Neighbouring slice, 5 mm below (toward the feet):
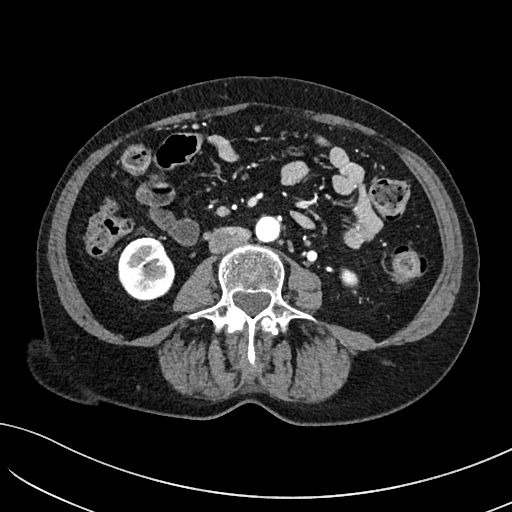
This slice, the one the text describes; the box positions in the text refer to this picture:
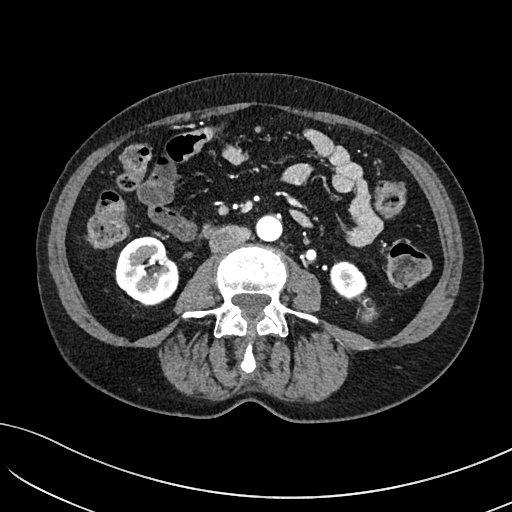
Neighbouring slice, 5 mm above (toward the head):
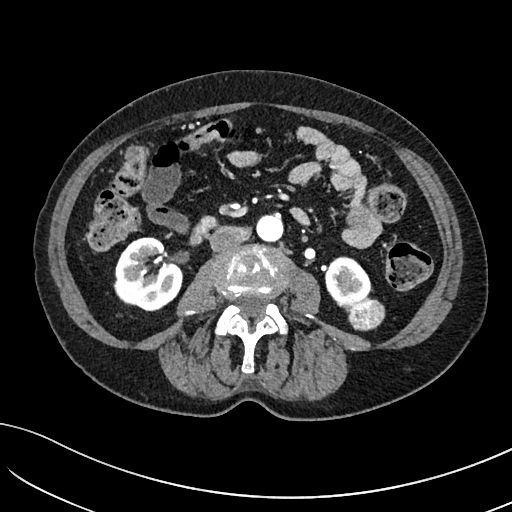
One axial slice (27 of 234, counting up from the lowest) of an arterial-phase abdominal CT acquired with 100 kVp, kernel I40f; each pixel is 0.699 mm and the slice is 2.00 mm thick.
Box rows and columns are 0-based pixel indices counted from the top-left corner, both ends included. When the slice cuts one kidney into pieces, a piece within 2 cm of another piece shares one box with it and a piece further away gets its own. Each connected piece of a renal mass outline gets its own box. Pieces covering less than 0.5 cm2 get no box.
Three boxes on this slice (two kidney boxes and one renal mass box), listed by box centre from the image's left to its right. (1) Right kidney at rows 236–306, columns 115–179 (outlined area 3,380 px, about 16.5 cm2). (2) Box rows 261–308, columns 329–374: left kidney (outlined area 1,194 px, about 5.8 cm2). (3) Left renal mass at rows 302–315, columns 357–375 (outlined area 162 px, about 0.8 cm2). This slice lies near the end of the left renal mass toward the feet; the slices 5 mm below and 5 mm above it are shown too, and the boxes mark positions on this slice only.